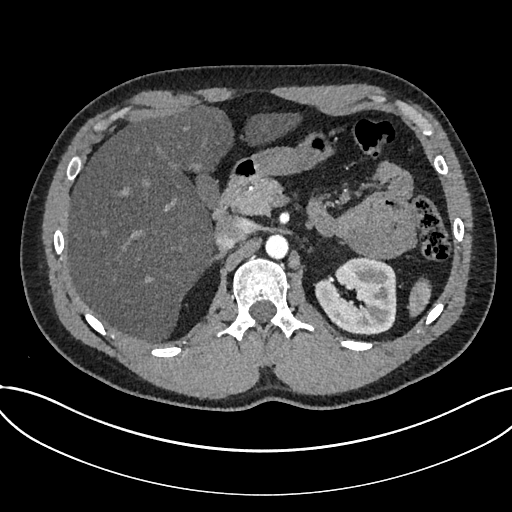
Abdominal CT with intravenous contrast, arterial phase, axial plane, 120 kVp, kernel I30f. Slice 493/735 from the bottom of the scan; thickness 1.00 mm; pixel size 0.789 mm.
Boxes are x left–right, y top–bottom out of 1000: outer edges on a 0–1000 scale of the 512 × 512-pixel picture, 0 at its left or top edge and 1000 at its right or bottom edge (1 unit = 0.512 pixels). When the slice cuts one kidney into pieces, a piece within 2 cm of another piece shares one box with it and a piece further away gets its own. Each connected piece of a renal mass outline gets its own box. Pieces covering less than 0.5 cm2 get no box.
Box x 615–775, y 500–656 out of 1000: kidney (outlined area 4,844 px, about 30.2 cm2). This slice carries no renal mass outline.